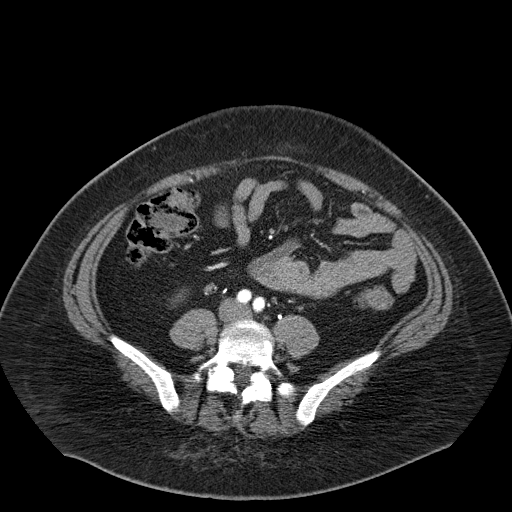
Axial slice 20 of 55 of a contrast-enhanced abdominal CT (slice 1 is the lowest), 120 kVp, kernel B30f; 5.00 mm slice thickness and 0.908 mm pixels.
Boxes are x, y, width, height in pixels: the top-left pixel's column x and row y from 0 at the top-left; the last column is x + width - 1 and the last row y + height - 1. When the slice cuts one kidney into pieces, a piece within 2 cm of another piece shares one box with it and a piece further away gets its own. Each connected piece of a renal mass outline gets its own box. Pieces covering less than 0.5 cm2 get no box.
Right kidney, box x 172, y 290, width 13, height 13 (outlined area 82 px, about 0.7 cm2). This slice carries no renal mass outline.